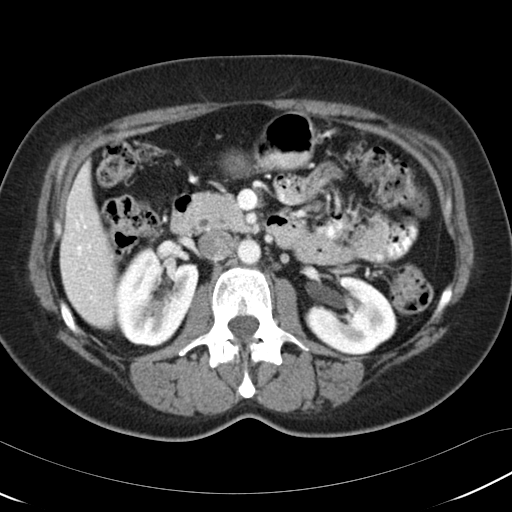
Axial slice 65 of 97 of a contrast-enhanced abdominal CT (slice 1 is the lowest), 120 kVp, kernel B30f; 5.00 mm slice thickness and 0.664 mm pixels.
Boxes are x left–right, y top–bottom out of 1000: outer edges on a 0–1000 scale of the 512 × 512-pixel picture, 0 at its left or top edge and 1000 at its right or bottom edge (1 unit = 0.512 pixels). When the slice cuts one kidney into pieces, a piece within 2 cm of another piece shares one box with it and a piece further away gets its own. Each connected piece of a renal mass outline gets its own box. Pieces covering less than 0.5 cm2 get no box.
Two kidney boxes on this slice; by box centre, from the image's left to its right: (1) Box x 223–389, y 479–678 out of 1000: right kidney (outlined area 6,349 px, about 28.0 cm2). (2) Left kidney, box x 596–777, y 539–695 out of 1000 (outlined area 4,991 px, about 22.0 cm2). No renal mass is outlined on this slice.